Abdominal CT with intravenous contrast, axial plane, 120 kVp, kernel B41f. Slice 12/94 from the bottom of the scan; thickness 3.00 mm; pixel size 0.977 mm.
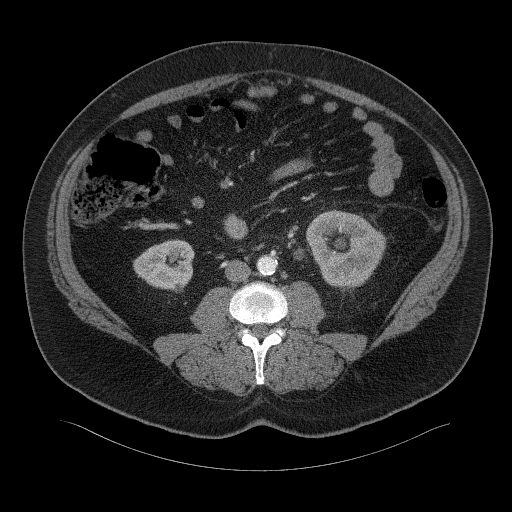
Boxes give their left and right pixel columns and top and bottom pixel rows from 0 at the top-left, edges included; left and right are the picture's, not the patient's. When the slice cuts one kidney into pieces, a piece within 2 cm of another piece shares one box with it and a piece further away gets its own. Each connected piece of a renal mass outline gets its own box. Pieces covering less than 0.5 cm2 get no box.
Two boxes on this slice (two kidney boxes), listed by box centre from the image's left to its right. (1) Right kidney in the box with left 133, top 239, right 194, bottom 292 (outlined area 2,398 px, about 22.9 cm2). (2) Left kidney in the box with left 306, top 209, right 386, bottom 291 (outlined area 4,617 px, about 44.0 cm2). No renal mass is outlined on this slice.